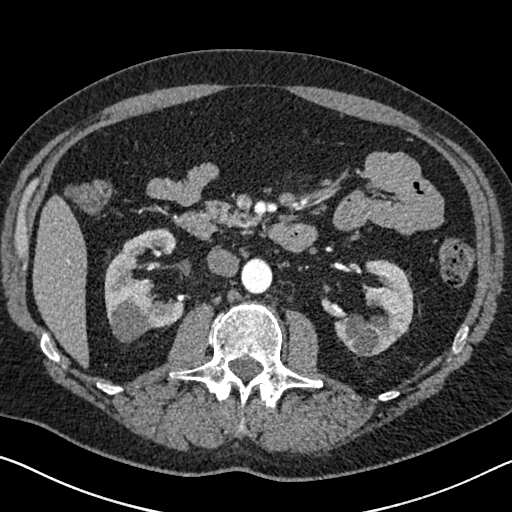
Arterial-phase contrast-enhanced abdominal CT, axial slice 381 of 626 (counted from the lowest slice); tube voltage 120 kVp, convolution kernel I30f; slices 1.00 mm thick, 0.703 mm per pixel.
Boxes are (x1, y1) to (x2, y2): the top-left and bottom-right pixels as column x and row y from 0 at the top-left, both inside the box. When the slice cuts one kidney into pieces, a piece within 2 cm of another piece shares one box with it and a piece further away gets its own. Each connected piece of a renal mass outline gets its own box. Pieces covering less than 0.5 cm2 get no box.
Boxed on this slice (two kidney boxes), listed by box centre from the image's left to its right: (1) Box (104, 228) to (184, 342): right kidney (outlined area 5,687 px, about 28.1 cm2). (2) Left kidney from (334, 259) to (413, 356) (outlined area 4,560 px, about 22.5 cm2). No renal mass is outlined on this slice.